One axial slice (362 of 591, counting up from the lowest) of an arterial-phase abdominal CT acquired with 140 kVp, kernel I30f; each pixel is 0.703 mm and the slice is 1.00 mm thick.
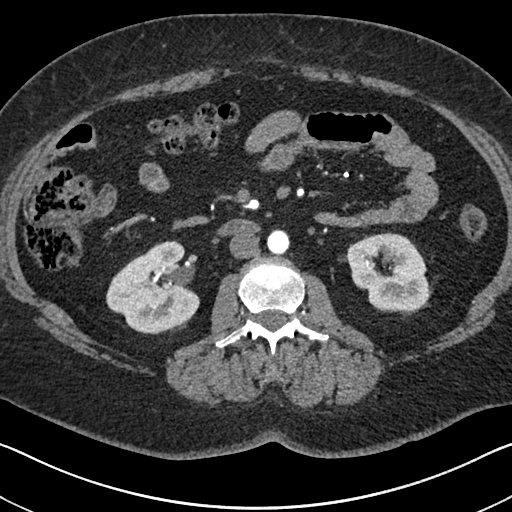
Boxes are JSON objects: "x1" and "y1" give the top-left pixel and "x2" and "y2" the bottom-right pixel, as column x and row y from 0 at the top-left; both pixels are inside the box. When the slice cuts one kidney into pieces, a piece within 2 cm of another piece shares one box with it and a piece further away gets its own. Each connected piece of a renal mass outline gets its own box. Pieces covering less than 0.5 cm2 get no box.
Two boxes on this slice (two kidney boxes), listed by box centre from the image's left to its right. (1) Right kidney, box {"x1": 106, "y1": 241, "x2": 199, "y2": 334} (outlined area 6,133 px, about 30.3 cm2). (2) Left kidney at {"x1": 346, "y1": 232, "x2": 430, "y2": 312} (outlined area 4,983 px, about 24.6 cm2). This slice carries no renal mass outline.